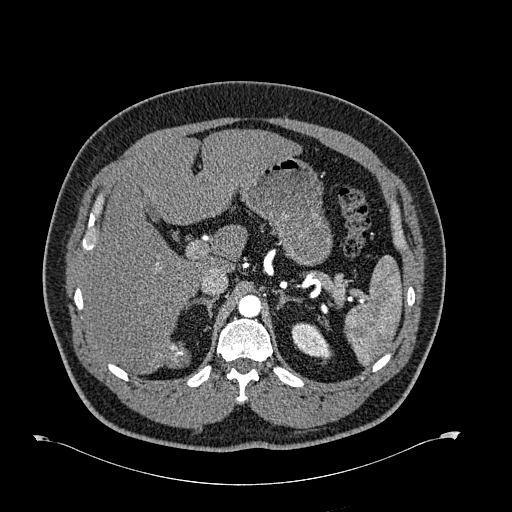
Arterial-phase contrast-enhanced abdominal CT, axial slice 486 of 723 (counted from the lowest slice); tube voltage 120 kVp, convolution kernel B30f; slices 1.00 mm thick, 0.895 mm per pixel.
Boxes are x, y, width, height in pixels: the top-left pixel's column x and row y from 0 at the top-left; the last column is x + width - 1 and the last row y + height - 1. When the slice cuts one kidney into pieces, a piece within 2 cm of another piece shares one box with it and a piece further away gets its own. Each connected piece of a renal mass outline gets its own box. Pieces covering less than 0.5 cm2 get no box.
Left kidney at x 291, y 322, width 41, height 40 (outlined area 1,028 px, about 8.2 cm2). This slice carries no renal mass outline.